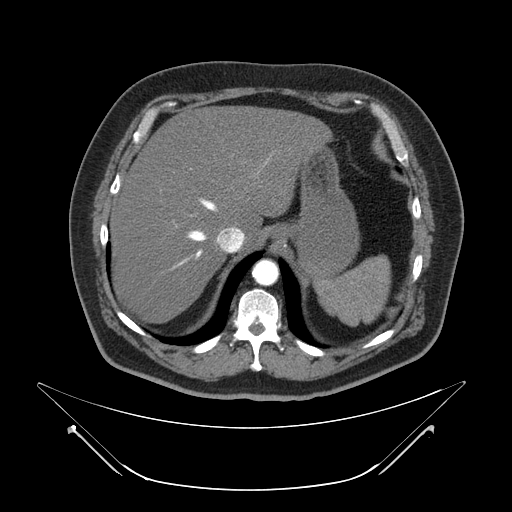
One axial slice (48 of 64, counting up from the lowest) of a contrast-enhanced abdominal CT acquired with 120 kVp, kernel B; each pixel is 0.977 mm and the slice is 4.00 mm thick.
Neither a kidney nor a renal mass is outlined here. Only kidneys and renal masses are outlined anywhere in this scan; other structures are never outlined.